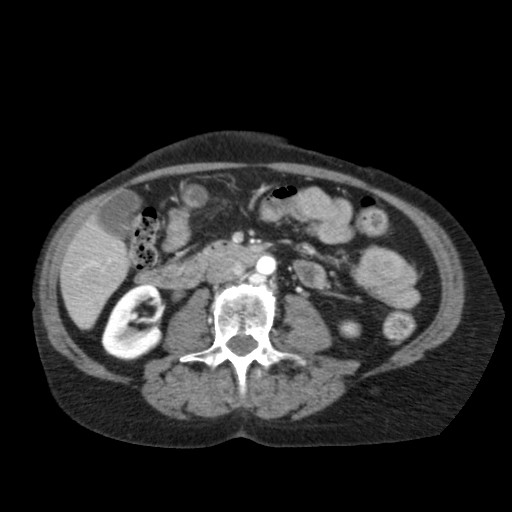
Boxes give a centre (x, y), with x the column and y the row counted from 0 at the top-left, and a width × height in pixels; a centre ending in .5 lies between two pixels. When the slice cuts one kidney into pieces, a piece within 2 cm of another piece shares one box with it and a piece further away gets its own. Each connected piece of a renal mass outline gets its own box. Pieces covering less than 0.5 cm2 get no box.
Arterial-phase contrast-enhanced abdominal CT, axial slice 52 of 79 (counted from the lowest slice); 5.00 mm thick, 0.686 mm per pixel. Two kidney boxes on this slice; by box centre, from the image's left to its right: (1) Right kidney, box centre (132, 322), 63 × 77 pixels (outlined area 3,430 px, about 16.1 cm2). (2) Left kidney in a box with centre (349.5, 329), 22 × 19 pixels (outlined area 329 px, about 1.5 cm2). No renal mass outline on this slice.
Tube voltage 120 kVp; convolution kernel FC11.